Contrast-enhanced abdominal CT, axial slice 283 of 433 (counted from the lowest slice); tube voltage 120 kVp, convolution kernel B30f; slices 1.00 mm thick, 0.672 mm per pixel.
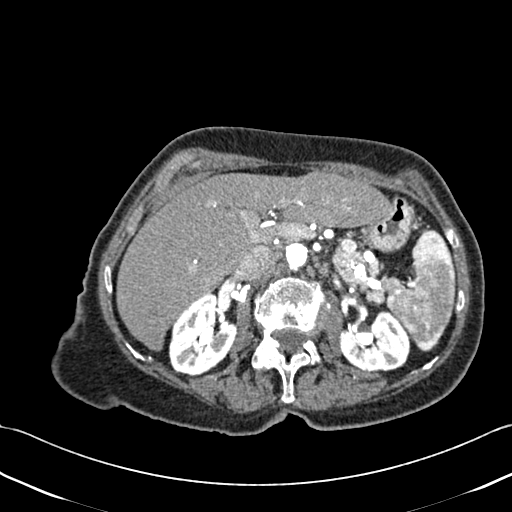
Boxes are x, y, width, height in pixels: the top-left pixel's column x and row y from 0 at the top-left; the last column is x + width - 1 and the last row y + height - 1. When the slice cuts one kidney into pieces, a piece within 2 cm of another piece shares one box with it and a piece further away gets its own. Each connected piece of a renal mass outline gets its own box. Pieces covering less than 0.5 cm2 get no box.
Boxed on this slice (two kidney boxes), listed by box centre from the image's left to its right: (1) Right kidney, box x 168, y 294, width 70, height 83 (outlined area 4,015 px, about 18.1 cm2). (2) Left kidney at x 338, y 309, width 73, height 64 (outlined area 3,313 px, about 15.0 cm2). No renal mass is outlined on this slice.